One axial slice (268 of 620, counting up from the lowest) of an arterial-phase abdominal CT acquired with 120 kVp, kernel B31f; each pixel is 0.637 mm and the slice is 2.00 mm thick.
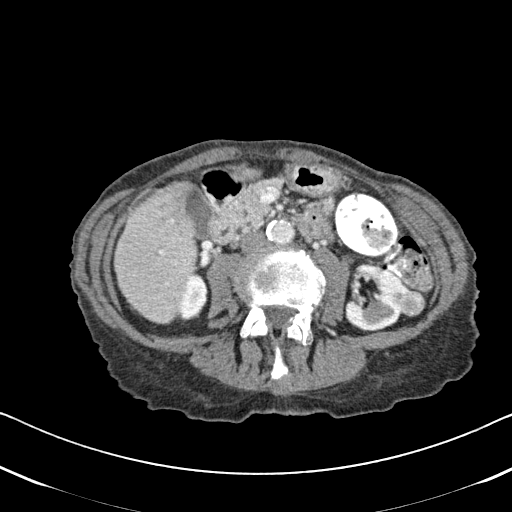
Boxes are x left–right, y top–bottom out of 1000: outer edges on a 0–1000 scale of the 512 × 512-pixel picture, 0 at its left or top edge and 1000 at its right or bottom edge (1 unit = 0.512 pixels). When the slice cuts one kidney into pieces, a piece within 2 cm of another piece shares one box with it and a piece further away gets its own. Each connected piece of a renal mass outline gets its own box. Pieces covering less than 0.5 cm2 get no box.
Three boxes on this slice (two kidney boxes and one renal mass box), listed by box centre from the image's left to its right. (1) Box x 354–406, y 533–629 out of 1000: right kidney (outlined area 971 px, about 3.9 cm2). (2) Left kidney at x 672–803, y 514–648 out of 1000 (outlined area 3,032 px, about 12.3 cm2). (3) Left renal mass, box x 779–832, y 566–621 out of 1000 (outlined area 592 px, about 2.4 cm2).